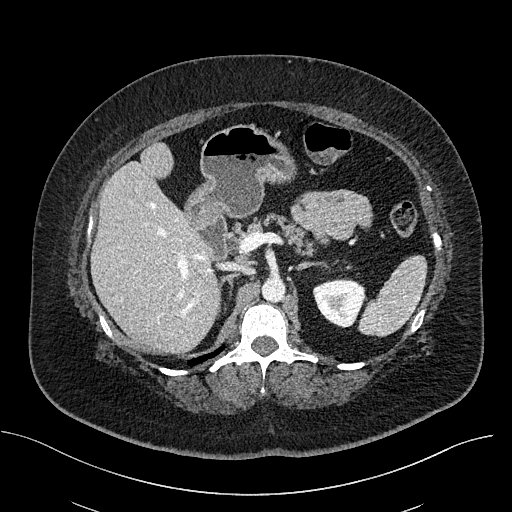
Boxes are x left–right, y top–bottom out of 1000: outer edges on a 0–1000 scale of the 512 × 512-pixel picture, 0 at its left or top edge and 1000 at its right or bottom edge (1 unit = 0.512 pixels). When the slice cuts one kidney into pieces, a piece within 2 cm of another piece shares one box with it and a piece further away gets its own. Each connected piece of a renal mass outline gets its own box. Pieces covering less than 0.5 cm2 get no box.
Contrast-enhanced abdominal CT, axial slice 334 of 470 (counted from the lowest slice); 2.00 mm thick, 0.824 mm per pixel. Left kidney, box x 611–715, y 543–641 out of 1000 (outlined area 1,930 px, about 13.1 cm2). No renal mass outline on this slice.
Scan settings: 100 kVp, I40f reconstruction kernel.